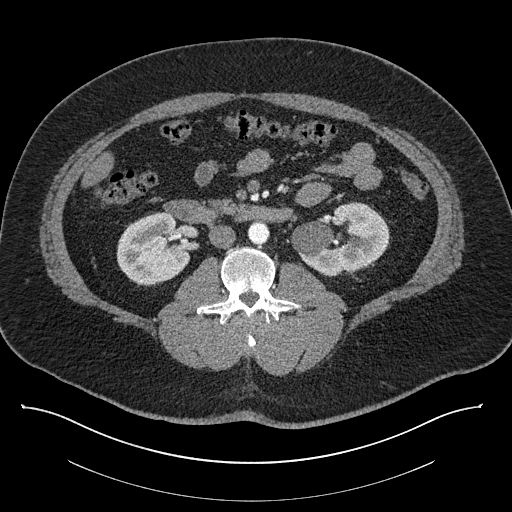
Axial slice 458 of 787 of a contrast-enhanced abdominal CT (slice 1 is the lowest), 140 kVp, kernel I30f; 1.00 mm slice thickness and 0.910 mm pixels.
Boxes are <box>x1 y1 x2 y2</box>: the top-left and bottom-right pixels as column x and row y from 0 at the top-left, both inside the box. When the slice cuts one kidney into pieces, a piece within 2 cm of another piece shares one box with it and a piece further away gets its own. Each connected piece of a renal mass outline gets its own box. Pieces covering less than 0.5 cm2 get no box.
Two boxes on this slice (two kidney boxes), listed by box centre from the image's left to its right. (1) Right kidney: <box>116 212 190 285</box> (outlined area 4,089 px, about 33.9 cm2). (2) Left kidney at <box>291 202 389 276</box> (outlined area 5,092 px, about 42.2 cm2). This slice carries no renal mass outline.